One axial slice (15 of 96, counting up from the lowest) of an arterial-phase abdominal CT acquired with 130 kVp, kernel B30s; each pixel is 0.781 mm and the slice is 3.00 mm thick.
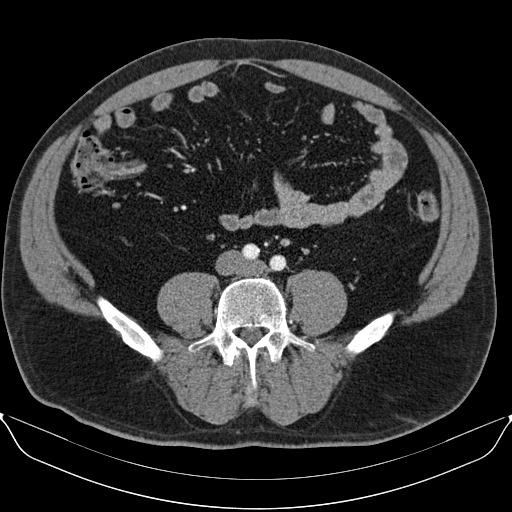
Outside the outlined region: no kidney outline and no renal mass outline on this slice. The scan's outlines cover only kidneys and renal masses; no other organ is outlined.